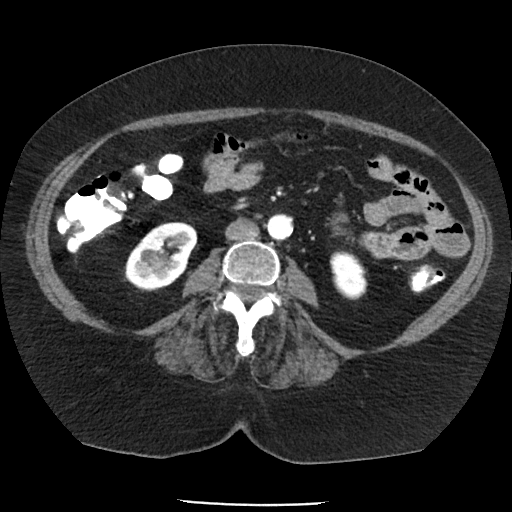
Axial slice 48 of 85 of a contrast-enhanced abdominal CT in the arterial phase (slice 1 is the lowest), 120 kVp, kernel FC19; 5.00 mm slice thickness and 0.741 mm pixels.
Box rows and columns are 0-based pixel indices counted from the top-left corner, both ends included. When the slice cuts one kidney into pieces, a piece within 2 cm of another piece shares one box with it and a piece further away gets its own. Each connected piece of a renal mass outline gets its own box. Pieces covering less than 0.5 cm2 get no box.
Two boxes on this slice (two kidney boxes), listed by box centre from the image's left to its right. (1) Right kidney at rows 222–290, columns 125–197 (outlined area 3,515 px, about 19.3 cm2). (2) Left kidney at rows 251–298, columns 330–367 (outlined area 1,400 px, about 7.7 cm2). This slice carries no renal mass outline.